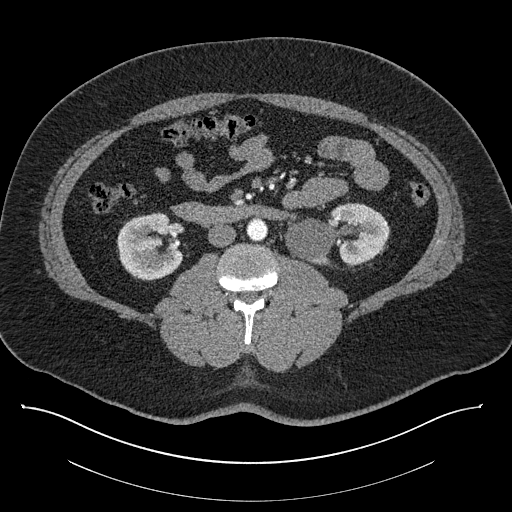
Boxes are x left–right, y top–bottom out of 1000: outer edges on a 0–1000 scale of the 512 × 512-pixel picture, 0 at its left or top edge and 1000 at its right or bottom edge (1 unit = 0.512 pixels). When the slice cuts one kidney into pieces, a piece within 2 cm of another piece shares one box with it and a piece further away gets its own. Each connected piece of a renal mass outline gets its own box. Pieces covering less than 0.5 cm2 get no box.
This is axial slice 439 of 787 (slice 1 is the lowest) of an abdominal CT with contrast; each pixel is 0.910 mm and the slice is 1.00 mm thick. Two kidney boxes on this slice; by box centre, from the image's left to its right: (1) Right kidney at x 227–357, y 414–549 out of 1000 (outlined area 3,454 px, about 28.6 cm2). (2) Left kidney at x 557–762, y 395–520 out of 1000 (outlined area 4,536 px, about 37.6 cm2). No renal mass outline on this slice.
Scan settings: 140 kVp, I30f reconstruction kernel.